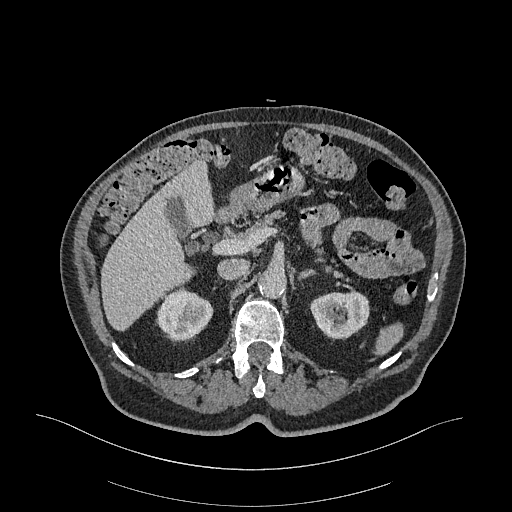
Arterial-phase contrast-enhanced abdominal CT, axial slice 221 of 470 (counted from the lowest slice); tube voltage 120 kVp, convolution kernel I26f; slices 1.00 mm thick, 0.938 mm per pixel.
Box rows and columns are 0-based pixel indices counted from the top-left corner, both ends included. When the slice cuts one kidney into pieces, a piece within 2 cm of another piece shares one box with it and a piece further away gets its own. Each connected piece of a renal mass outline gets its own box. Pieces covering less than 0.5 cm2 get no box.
Two kidney boxes on this slice; by box centre, from the image's left to its right: (1) Box rows 290–340, columns 156–213: right kidney (outlined area 2,166 px, about 19.0 cm2). (2) Box rows 291–339, columns 309–369: left kidney (outlined area 2,263 px, about 19.9 cm2). No renal mass is outlined on this slice.